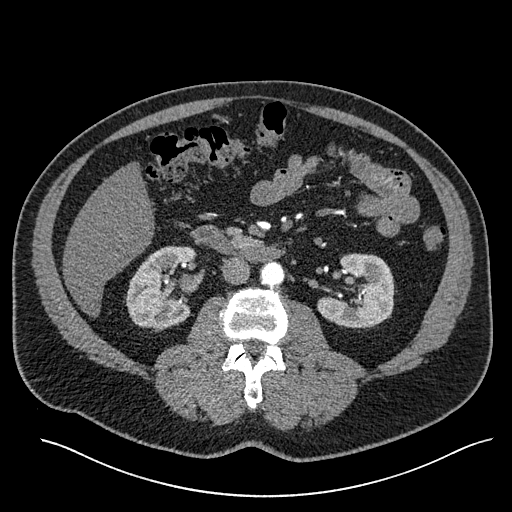
One axial slice (295 of 527, counting up from the lowest) of an arterial-phase abdominal CT acquired with 120 kVp, kernel I30f; each pixel is 0.859 mm and the slice is 1.00 mm thick.
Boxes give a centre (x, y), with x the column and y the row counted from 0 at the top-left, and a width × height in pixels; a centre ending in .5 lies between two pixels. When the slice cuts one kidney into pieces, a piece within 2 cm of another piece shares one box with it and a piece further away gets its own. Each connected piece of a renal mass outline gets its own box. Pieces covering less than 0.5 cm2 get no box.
Two boxes on this slice (two kidney boxes), listed by box centre from the image's left to its right. (1) Box centre (160, 289), 71 × 87 pixels: right kidney (outlined area 4,419 px, about 32.6 cm2). (2) Box centre (356, 290.5), 79 × 76 pixels: left kidney (outlined area 4,178 px, about 30.9 cm2). No renal mass is outlined on this slice.